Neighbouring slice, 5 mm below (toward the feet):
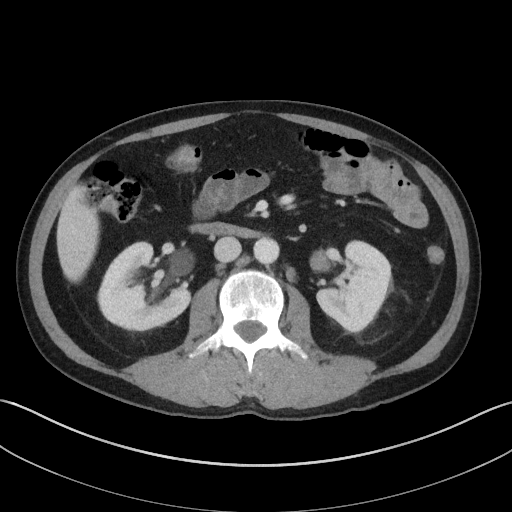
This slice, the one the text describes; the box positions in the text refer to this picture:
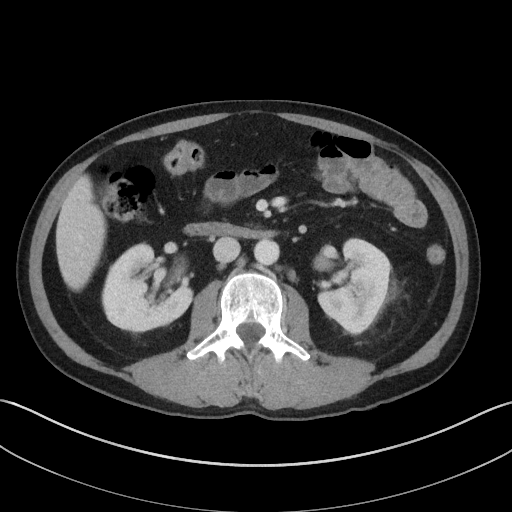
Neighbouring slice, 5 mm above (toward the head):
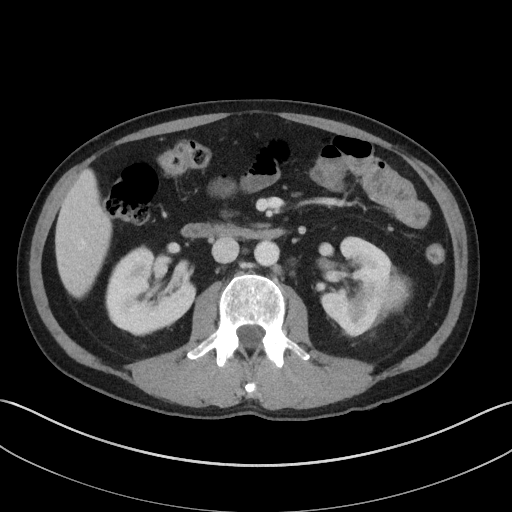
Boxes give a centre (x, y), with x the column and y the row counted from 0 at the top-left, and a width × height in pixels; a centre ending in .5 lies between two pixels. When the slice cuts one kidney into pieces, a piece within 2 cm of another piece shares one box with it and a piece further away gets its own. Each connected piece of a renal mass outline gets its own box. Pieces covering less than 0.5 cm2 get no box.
This is axial slice 62 of 143 (slice 1 is the lowest) of an abdominal CT with contrast; each pixel is 0.734 mm and the slice is 5.00 mm thick. Two kidney boxes and one renal mass box on this slice; by box centre, from the image's left to its right: (1) Right kidney in a box with centre (147, 288.5), 93 × 94 pixels (outlined area 5,841 px, about 31.5 cm2). (2) Left kidney, box centre (355, 286.5), 77 × 100 pixels (outlined area 4,815 px, about 26.0 cm2). (3) Left renal mass in a box with centre (387.5, 288.5), 26 × 26 pixels (outlined area 496 px, about 2.7 cm2). This slice lies near the end of the left renal mass toward the feet; the slices 5 mm below and 5 mm above it are shown too, and the boxes mark positions on this slice only.
Scan settings: 100 kVp, I41f reconstruction kernel.